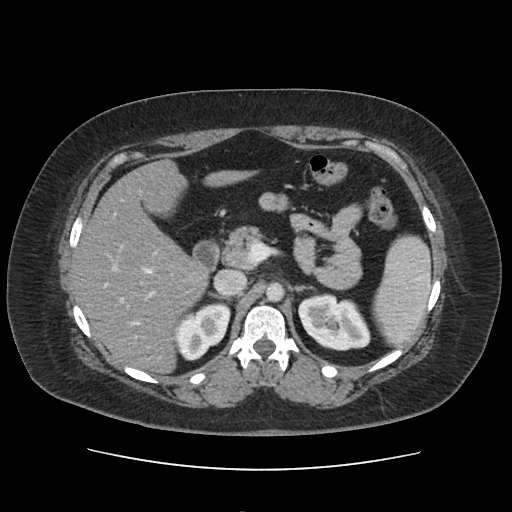
Axial slice 77 of 103 of a contrast-enhanced abdominal CT in the arterial phase (slice 1 is the lowest), 120 kVp, kernel FC19; 5.00 mm slice thickness and 0.873 mm pixels.
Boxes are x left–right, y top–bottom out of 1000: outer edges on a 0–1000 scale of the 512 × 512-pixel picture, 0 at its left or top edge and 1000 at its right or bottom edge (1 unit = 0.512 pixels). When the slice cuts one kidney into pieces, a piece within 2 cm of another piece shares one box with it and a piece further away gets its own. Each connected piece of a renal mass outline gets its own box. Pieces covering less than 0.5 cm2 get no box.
Boxed on this slice (two kidney boxes), listed by box centre from the image's left to its right: (1) Right kidney at x 340–451, y 592–705 out of 1000 (outlined area 2,239 px, about 17.1 cm2). (2) Left kidney at x 582–725, y 572–686 out of 1000 (outlined area 3,093 px, about 23.6 cm2). No renal mass outline on this slice.